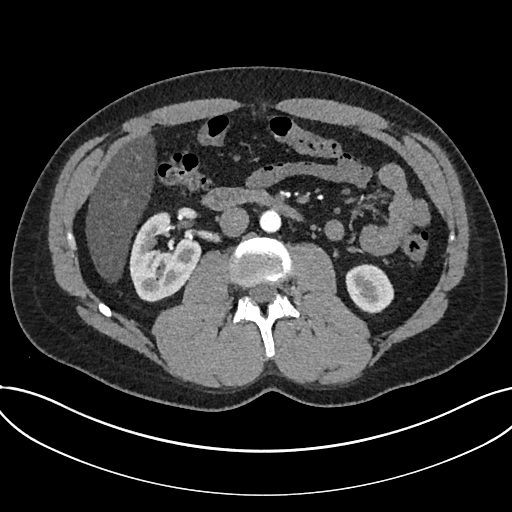
Abdominal CT with intravenous contrast, arterial phase, axial plane, 120 kVp, kernel I30f. Slice 380/735 from the bottom of the scan; thickness 1.00 mm; pixel size 0.789 mm.
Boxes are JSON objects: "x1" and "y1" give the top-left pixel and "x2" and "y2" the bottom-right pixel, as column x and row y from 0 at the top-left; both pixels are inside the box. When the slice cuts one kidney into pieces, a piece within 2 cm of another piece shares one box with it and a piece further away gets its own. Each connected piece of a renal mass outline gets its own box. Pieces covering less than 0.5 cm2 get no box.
Boxed on this slice (two kidney boxes), listed by box centre from the image's left to its right: (1) Kidney at {"x1": 129, "y1": 212, "x2": 200, "y2": 302} (outlined area 4,359 px, about 27.1 cm2). (2) Kidney, box {"x1": 345, "y1": 264, "x2": 394, "y2": 313} (outlined area 1,850 px, about 11.5 cm2). This slice carries no renal mass outline.